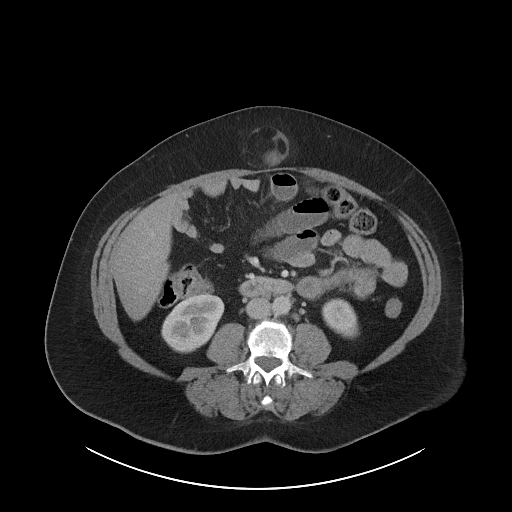
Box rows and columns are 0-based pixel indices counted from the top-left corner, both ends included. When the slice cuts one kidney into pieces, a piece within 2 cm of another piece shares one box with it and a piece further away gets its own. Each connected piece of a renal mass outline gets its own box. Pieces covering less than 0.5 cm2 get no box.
Arterial-phase contrast-enhanced abdominal CT, axial slice 46 of 86 (counted from the lowest slice); 5.00 mm thick, 0.977 mm per pixel. Two boxes on this slice (two kidney boxes), listed by box centre from the image's left to its right. (1) Box rows 294–353, columns 161–224: right kidney (outlined area 2,652 px, about 25.3 cm2). (2) Box rows 298–338, columns 321–358: left kidney (outlined area 1,095 px, about 10.4 cm2). No renal mass is outlined on this slice.
Scan settings: 120 kVp, I40f reconstruction kernel.